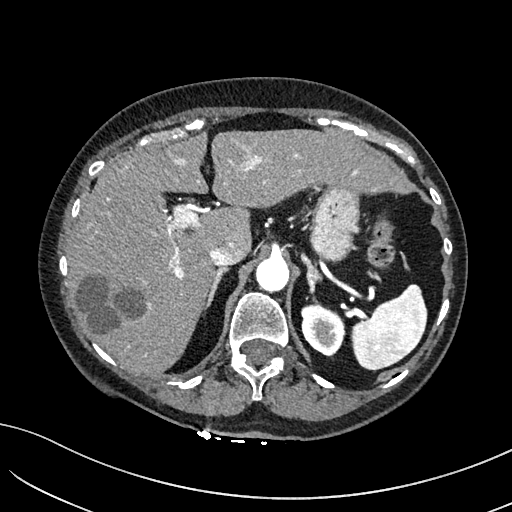
One axial slice (126 of 234, counting up from the lowest) of an arterial-phase abdominal CT acquired with 100 kVp, kernel I40f; each pixel is 0.699 mm and the slice is 2.00 mm thick.
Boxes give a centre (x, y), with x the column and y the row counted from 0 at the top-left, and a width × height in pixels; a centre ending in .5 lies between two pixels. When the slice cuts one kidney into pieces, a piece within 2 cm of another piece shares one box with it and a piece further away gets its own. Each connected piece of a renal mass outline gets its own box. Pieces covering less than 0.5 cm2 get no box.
Left kidney in a box with centre (322.5, 329.5), 44 × 54 pixels (outlined area 1,768 px, about 8.6 cm2). No renal mass is outlined on this slice.